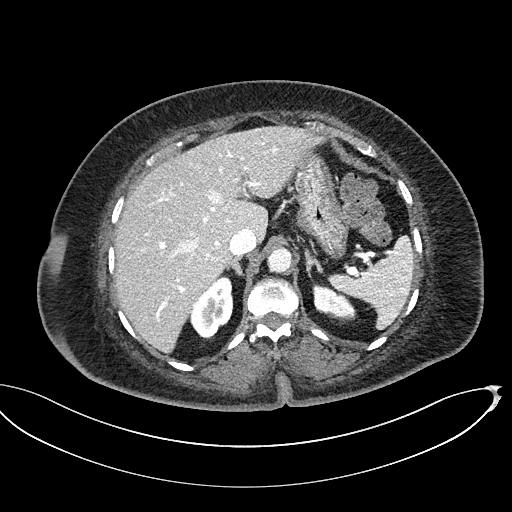
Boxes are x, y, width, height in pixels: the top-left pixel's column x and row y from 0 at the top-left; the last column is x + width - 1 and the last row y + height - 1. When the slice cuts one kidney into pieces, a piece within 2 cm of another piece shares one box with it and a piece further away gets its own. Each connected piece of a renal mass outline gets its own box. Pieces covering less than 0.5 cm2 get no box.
Contrast-enhanced abdominal CT, axial slice 359 of 439 (counted from the lowest slice); 2.00 mm thick, 0.850 mm per pixel. Two boxes on this slice (two kidney boxes), listed by box centre from the image's left to its right. (1) Right kidney, box x 189, y 275, width 45, height 64 (outlined area 1,900 px, about 13.7 cm2). (2) Left kidney at x 312, y 283, width 45, height 41 (outlined area 1,091 px, about 7.9 cm2). No renal mass is outlined on this slice.
Scan settings: 100 kVp, I40f reconstruction kernel.